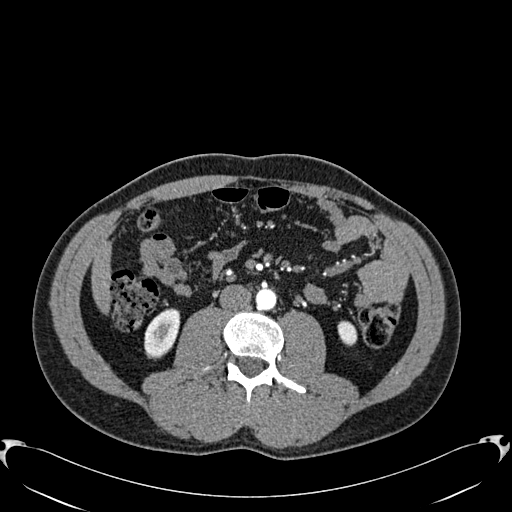
Axial slice 274 of 512 of a contrast-enhanced abdominal CT in the arterial phase (slice 1 is the lowest), 120 kVp, kernel B30f; 1.00 mm slice thickness and 0.771 mm pixels.
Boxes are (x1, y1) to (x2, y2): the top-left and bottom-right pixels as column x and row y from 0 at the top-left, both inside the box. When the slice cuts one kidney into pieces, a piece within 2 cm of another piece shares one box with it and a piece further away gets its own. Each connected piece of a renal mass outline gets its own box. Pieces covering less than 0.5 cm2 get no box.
Two kidney boxes on this slice; by box centre, from the image's left to its right: (1) Right kidney from (144, 308) to (180, 358) (outlined area 1,345 px, about 8.0 cm2). (2) Left kidney, box (337, 320) to (357, 346) (outlined area 411 px, about 2.4 cm2). No renal mass outline on this slice.